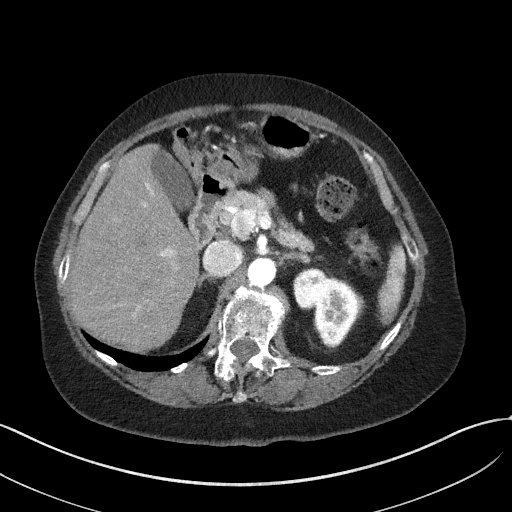
One axial slice (38 of 50, counting up from the lowest) of an arterial-phase abdominal CT acquired with 100 kVp, kernel I41f; each pixel is 0.758 mm and the slice is 3.00 mm thick.
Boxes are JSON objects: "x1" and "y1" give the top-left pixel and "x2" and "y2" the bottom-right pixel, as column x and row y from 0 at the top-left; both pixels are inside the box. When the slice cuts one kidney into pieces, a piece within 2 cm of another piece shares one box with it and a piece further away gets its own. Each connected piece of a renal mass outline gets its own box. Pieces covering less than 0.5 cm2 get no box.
Two boxes on this slice (one kidney box and one renal mass box), listed by box centre from the image's left to its right. (1) Left renal mass, box {"x1": 293, "y1": 267, "x2": 327, "y2": 309} (outlined area 1,154 px, about 6.6 cm2). (2) Box {"x1": 313, "y1": 276, "x2": 361, "y2": 350}: left kidney (outlined area 2,367 px, about 13.6 cm2).